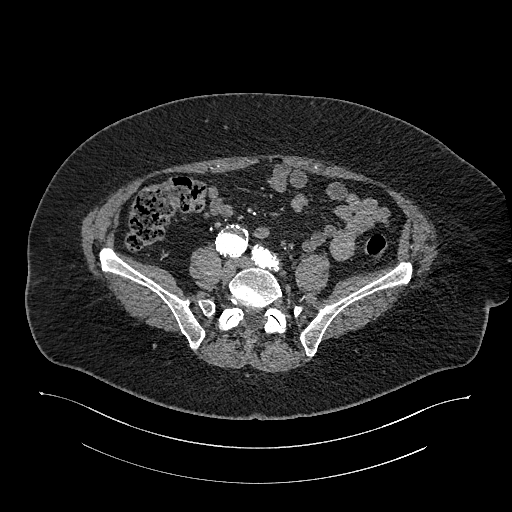
One axial slice (433 of 987, counting up from the lowest) of an arterial-phase abdominal CT acquired with 120 kVp, kernel I26f; each pixel is 0.977 mm and the slice is 1.00 mm thick.
Outside the outlined region: no kidney outline and no renal mass outline on this slice. The scan's outlines cover only kidneys and renal masses; no other organ is outlined.